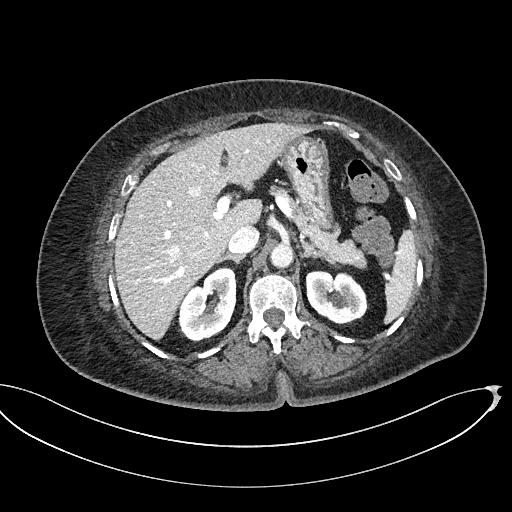
Contrast-enhanced abdominal CT, axial slice 342 of 439 (counted from the lowest slice); tube voltage 100 kVp, convolution kernel I40f; slices 2.00 mm thick, 0.850 mm per pixel.
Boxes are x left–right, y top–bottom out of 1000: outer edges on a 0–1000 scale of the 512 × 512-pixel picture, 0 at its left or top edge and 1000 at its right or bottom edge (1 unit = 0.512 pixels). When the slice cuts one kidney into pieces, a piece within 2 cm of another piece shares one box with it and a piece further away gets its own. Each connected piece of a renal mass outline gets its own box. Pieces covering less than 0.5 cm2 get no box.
Boxed on this slice (two kidney boxes), listed by box centre from the image's left to its right: (1) Box x 348–463, y 521–670 out of 1000: right kidney (outlined area 3,110 px, about 22.4 cm2). (2) Box x 596–721, y 527–635 out of 1000: left kidney (outlined area 2,606 px, about 18.8 cm2). This slice carries no renal mass outline.